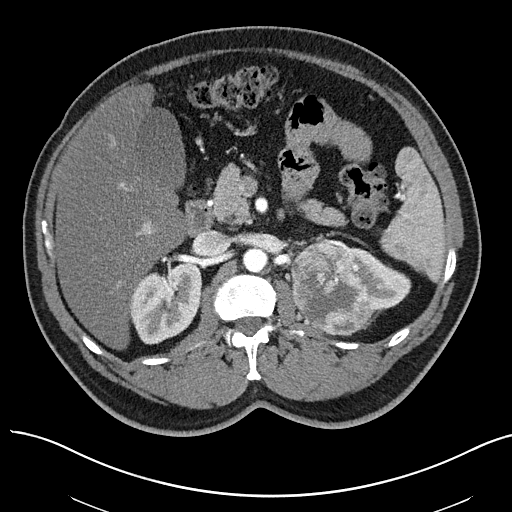
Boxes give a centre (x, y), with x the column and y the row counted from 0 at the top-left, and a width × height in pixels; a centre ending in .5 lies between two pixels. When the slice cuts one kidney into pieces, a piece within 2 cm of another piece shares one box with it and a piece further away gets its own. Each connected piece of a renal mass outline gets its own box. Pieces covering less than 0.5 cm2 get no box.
Arterial-phase contrast-enhanced abdominal CT, axial slice 43 of 97 (counted from the lowest slice); 3.00 mm thick, 0.797 mm per pixel. Three boxes on this slice (two kidney boxes and one renal mass box), listed by box centre from the image's left to its right. (1) Right kidney, box centre (165, 302.5), 75 × 84 pixels (outlined area 4,489 px, about 28.5 cm2). (2) Left renal mass in a box with centre (332, 287.5), 87 × 98 pixels (outlined area 6,165 px, about 39.1 cm2). (3) Box centre (366.5, 277), 90 × 79 pixels: left kidney (outlined area 2,072 px, about 13.2 cm2).
Scan settings: 100 kVp, I40f reconstruction kernel.